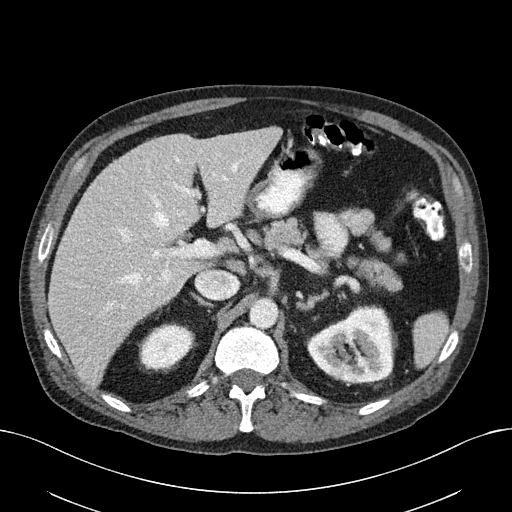
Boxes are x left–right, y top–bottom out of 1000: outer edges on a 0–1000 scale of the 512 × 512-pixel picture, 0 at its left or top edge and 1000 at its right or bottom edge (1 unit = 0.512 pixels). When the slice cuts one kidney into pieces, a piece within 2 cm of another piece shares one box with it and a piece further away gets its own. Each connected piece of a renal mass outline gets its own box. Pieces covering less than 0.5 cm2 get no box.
Contrast-enhanced abdominal CT, axial slice 126 of 163 (counted from the lowest slice); 3.00 mm thick, 0.799 mm per pixel. Two boxes on this slice (two kidney boxes), listed by box centre from the image's left to its right. (1) Right kidney at x 271–381, y 633–725 out of 1000 (outlined area 1,923 px, about 12.3 cm2). (2) Box x 600–771, y 598–750 out of 1000: left kidney (outlined area 5,074 px, about 32.4 cm2). No renal mass outline on this slice.
Scan settings: 100 kVp, I40f reconstruction kernel.